Axial slice 415 of 705 of a contrast-enhanced abdominal CT in the arterial phase (slice 1 is the lowest), 120 kVp, kernel I30f; 1.00 mm slice thickness and 0.703 mm pixels.
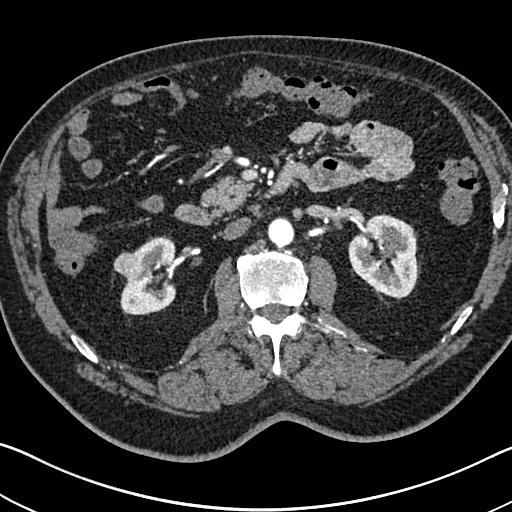
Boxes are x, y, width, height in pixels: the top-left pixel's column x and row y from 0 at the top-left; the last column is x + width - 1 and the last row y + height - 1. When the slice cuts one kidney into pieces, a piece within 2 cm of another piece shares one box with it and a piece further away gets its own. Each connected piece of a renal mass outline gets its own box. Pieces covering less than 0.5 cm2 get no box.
Boxed on this slice (two kidney boxes and one renal mass box), listed by box centre from the image's left to its right: (1) Right renal mass, box x 113, y 251, width 33, height 29 (outlined area 651 px, about 3.2 cm2). (2) Right kidney at x 120, y 236, width 57, height 79 (outlined area 3,076 px, about 15.2 cm2). (3) Left kidney, box x 348, y 214, width 73, height 85 (outlined area 4,478 px, about 22.1 cm2).